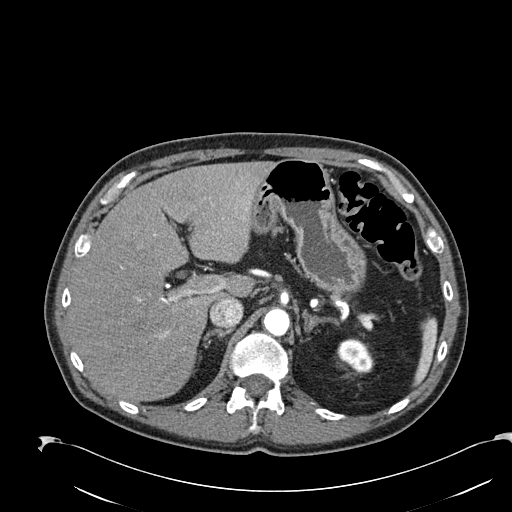
Abdominal CT with intravenous contrast, arterial phase, axial plane, 120 kVp, kernel B30f. Slice 170/274 from the bottom of the scan; thickness 2.00 mm; pixel size 0.809 mm.
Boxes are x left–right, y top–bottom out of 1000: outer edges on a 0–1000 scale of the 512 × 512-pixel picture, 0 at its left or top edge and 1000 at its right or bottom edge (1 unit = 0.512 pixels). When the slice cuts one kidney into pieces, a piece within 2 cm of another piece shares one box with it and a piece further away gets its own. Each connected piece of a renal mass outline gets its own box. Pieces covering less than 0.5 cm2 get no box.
Box x 658–732, y 660–730 out of 1000: left kidney (outlined area 920 px, about 6.0 cm2). No renal mass is outlined on this slice.